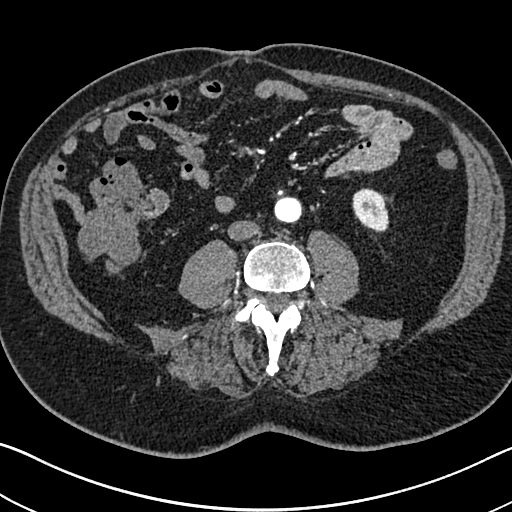
Arterial-phase contrast-enhanced abdominal CT, axial slice 279 of 705 (counted from the lowest slice); tube voltage 120 kVp, convolution kernel I30f; slices 1.00 mm thick, 0.703 mm per pixel.
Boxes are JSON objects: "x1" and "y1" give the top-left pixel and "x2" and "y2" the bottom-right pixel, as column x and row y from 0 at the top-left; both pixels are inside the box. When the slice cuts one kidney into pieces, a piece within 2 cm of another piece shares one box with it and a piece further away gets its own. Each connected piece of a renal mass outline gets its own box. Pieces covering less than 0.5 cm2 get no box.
Left kidney, box {"x1": 352, "y1": 188, "x2": 389, "y2": 232} (outlined area 1,240 px, about 6.1 cm2). This slice carries no renal mass outline.